Axial slice 395 of 734 of a contrast-enhanced abdominal CT (slice 1 is the lowest), 120 kVp, kernel B31f; 2.00 mm slice thickness and 0.971 mm pixels.
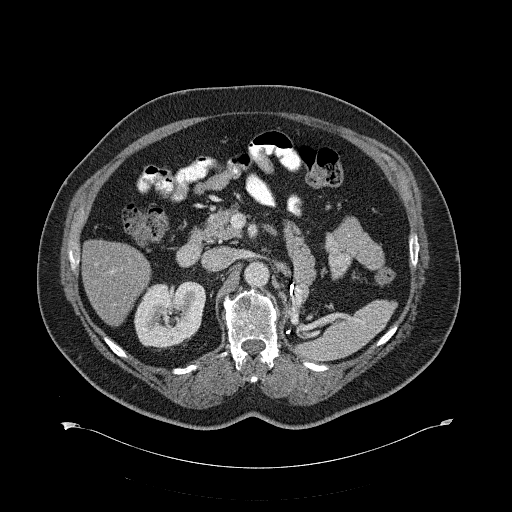
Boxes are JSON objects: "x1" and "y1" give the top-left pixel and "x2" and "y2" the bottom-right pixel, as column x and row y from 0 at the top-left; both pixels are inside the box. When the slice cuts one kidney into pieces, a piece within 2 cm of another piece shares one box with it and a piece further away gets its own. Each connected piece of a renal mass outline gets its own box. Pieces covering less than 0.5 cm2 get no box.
Box {"x1": 134, "y1": 280, "x2": 205, "y2": 350}: right kidney (outlined area 3,907 px, about 36.8 cm2). No renal mass is outlined on this slice.